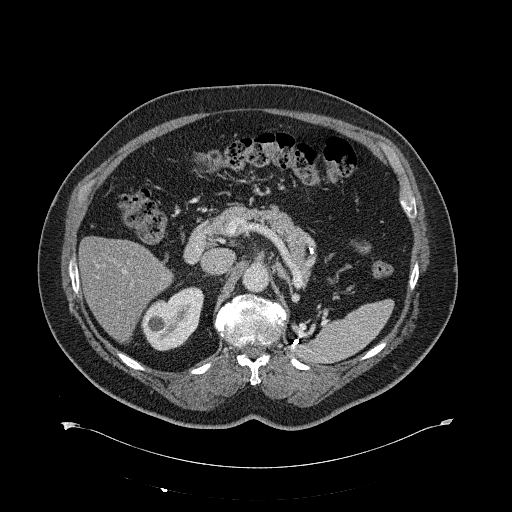
Abdominal CT with intravenous contrast, axial plane, 120 kVp, kernel B31f. Slice 408/734 from the bottom of the scan; thickness 2.00 mm; pixel size 0.971 mm.
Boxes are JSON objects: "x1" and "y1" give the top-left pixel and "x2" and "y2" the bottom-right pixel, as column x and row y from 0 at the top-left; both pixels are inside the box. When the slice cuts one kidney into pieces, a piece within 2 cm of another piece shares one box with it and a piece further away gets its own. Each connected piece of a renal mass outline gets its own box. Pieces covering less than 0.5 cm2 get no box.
Right kidney, box {"x1": 141, "y1": 286, "x2": 204, "y2": 351} (outlined area 2,812 px, about 26.5 cm2). No renal mass is outlined on this slice.